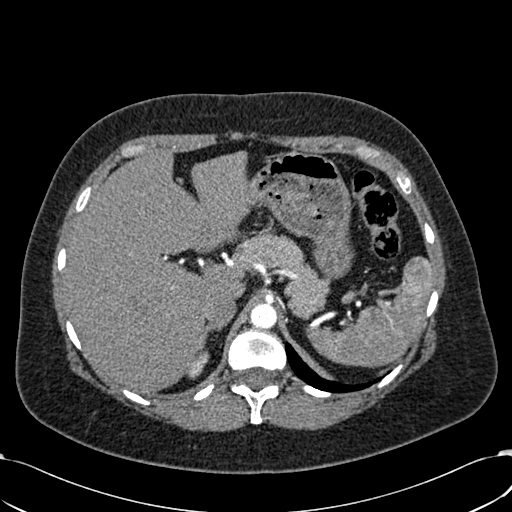
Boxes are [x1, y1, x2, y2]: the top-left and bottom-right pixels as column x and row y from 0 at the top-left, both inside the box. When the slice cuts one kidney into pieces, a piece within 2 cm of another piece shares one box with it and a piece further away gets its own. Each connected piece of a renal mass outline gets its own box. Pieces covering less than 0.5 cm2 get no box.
Arterial-phase contrast-enhanced abdominal CT, axial slice 462 of 532 (counted from the lowest slice); 1.00 mm thick, 0.713 mm per pixel. Right kidney, box [188, 350, 209, 374] (outlined area 287 px, about 1.5 cm2). No renal mass is outlined on this slice.
Scan settings: 120 kVp, B30f reconstruction kernel.